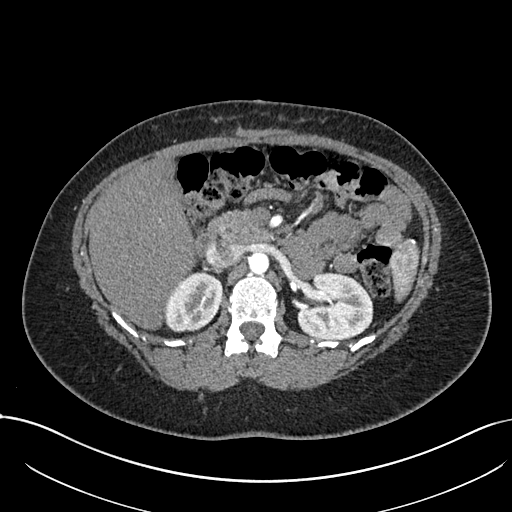
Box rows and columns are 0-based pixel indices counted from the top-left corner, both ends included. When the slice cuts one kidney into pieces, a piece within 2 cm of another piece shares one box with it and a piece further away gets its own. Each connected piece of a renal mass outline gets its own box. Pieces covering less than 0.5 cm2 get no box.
Slice 467/738 of a contrast-enhanced abdominal CT in the arterial phase, counting up from the lowest; pixel size 0.789 mm, slice thickness 1.00 mm. Two kidney boxes on this slice; by box centre, from the image's left to its right: (1) Right kidney at rows 271–332, columns 164–221 (outlined area 2,704 px, about 16.8 cm2). (2) Left kidney, box rows 271–339, columns 296–373 (outlined area 4,096 px, about 25.5 cm2). No renal mass is outlined on this slice.
Tube voltage 120 kVp; convolution kernel I30f.